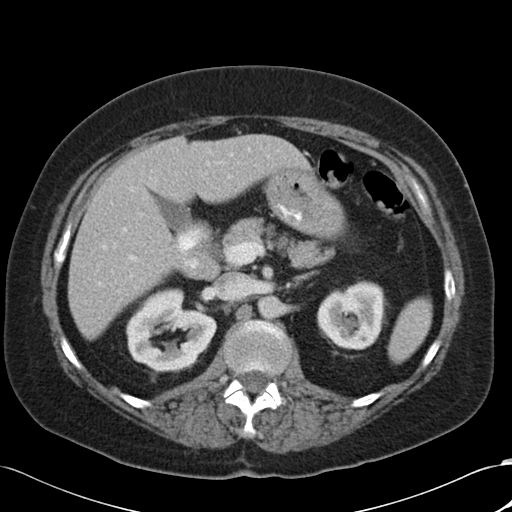
Axial slice 66 of 88 of a contrast-enhanced abdominal CT in the arterial phase (slice 1 is the lowest), 120 kVp, kernel B30f; 5.00 mm slice thickness and 0.691 mm pixels.
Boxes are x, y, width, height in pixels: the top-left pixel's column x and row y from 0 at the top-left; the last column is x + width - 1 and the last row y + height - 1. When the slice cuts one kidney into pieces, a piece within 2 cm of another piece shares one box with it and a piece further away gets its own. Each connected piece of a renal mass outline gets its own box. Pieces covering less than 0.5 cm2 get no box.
Boxed on this slice (two kidney boxes), listed by box centre from the image's left to its right: (1) Box x 125, y 288, width 93, height 85: right kidney (outlined area 5,129 px, about 24.5 cm2). (2) Left kidney, box x 316, y 280, width 69, height 71 (outlined area 3,688 px, about 17.6 cm2). This slice carries no renal mass outline.